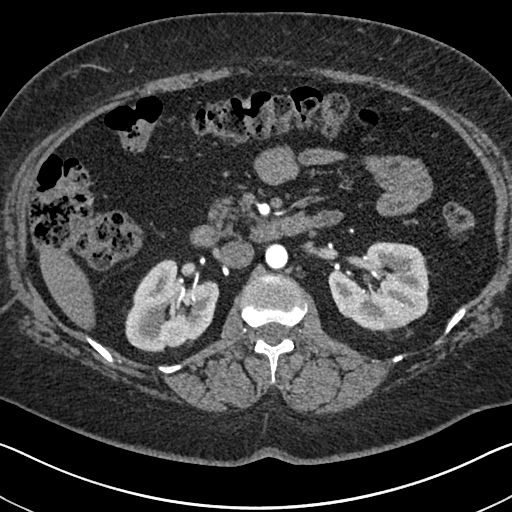
Axial slice 412 of 591 of a contrast-enhanced abdominal CT in the arterial phase (slice 1 is the lowest), 140 kVp, kernel I30f; 1.00 mm slice thickness and 0.703 mm pixels.
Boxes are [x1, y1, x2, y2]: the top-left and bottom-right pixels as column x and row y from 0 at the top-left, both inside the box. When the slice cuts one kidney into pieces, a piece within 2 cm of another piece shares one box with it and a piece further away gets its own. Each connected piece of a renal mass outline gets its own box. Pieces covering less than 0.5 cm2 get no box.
Boxed on this slice (two kidney boxes), listed by box centre from the image's left to its right: (1) Box [125, 259, 219, 352]: right kidney (outlined area 6,247 px, about 30.9 cm2). (2) Box [328, 241, 429, 330]: left kidney (outlined area 6,765 px, about 33.4 cm2). No renal mass is outlined on this slice.